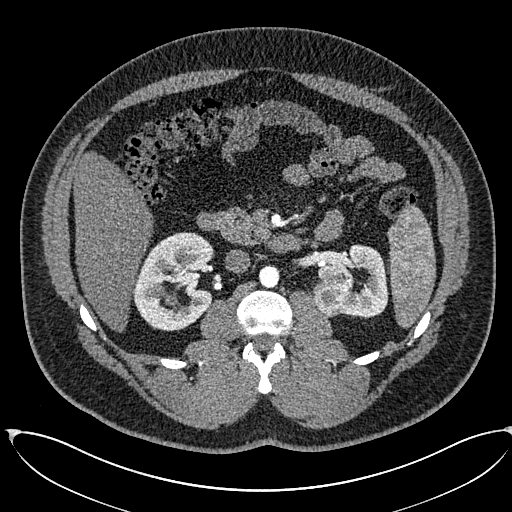
Arterial-phase contrast-enhanced abdominal CT, axial slice 357 of 673 (counted from the lowest slice); tube voltage 120 kVp, convolution kernel I30f; slices 1.00 mm thick, 0.855 mm per pixel.
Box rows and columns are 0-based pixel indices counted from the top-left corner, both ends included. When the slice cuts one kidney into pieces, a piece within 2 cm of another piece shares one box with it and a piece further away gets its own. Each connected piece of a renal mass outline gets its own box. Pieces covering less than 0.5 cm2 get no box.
Boxed on this slice (two kidney boxes and one renal mass box), listed by box centre from the image's left to its right: (1) Right kidney, box rows 232–331, columns 133–214 (outlined area 5,869 px, about 43.0 cm2). (2) Left renal mass at rows 279–317, columns 313–354 (outlined area 1,283 px, about 9.4 cm2). (3) Box rows 244–317, columns 318–388: left kidney (outlined area 2,933 px, about 21.5 cm2).